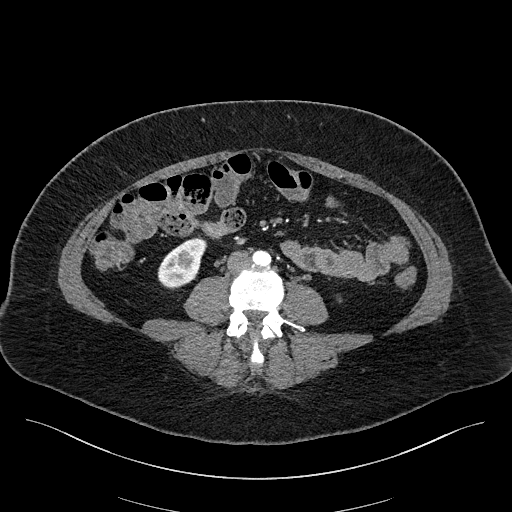
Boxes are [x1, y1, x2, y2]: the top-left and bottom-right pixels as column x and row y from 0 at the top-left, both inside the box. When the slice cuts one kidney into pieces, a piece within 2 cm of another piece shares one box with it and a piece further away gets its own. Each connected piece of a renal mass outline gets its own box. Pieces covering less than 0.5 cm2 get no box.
Arterial-phase contrast-enhanced abdominal CT, axial slice 50 of 270 (counted from the lowest slice); 2.00 mm thick, 0.855 mm per pixel. Right kidney at [157, 237, 207, 289] (outlined area 1,695 px, about 12.4 cm2). No renal mass is outlined on this slice.
Tube voltage 100 kVp; convolution kernel I40f.